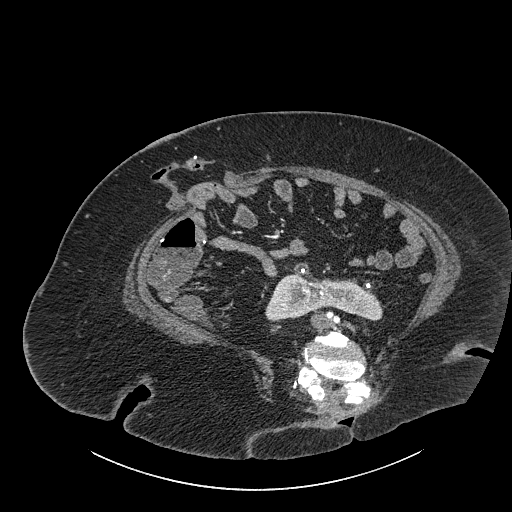
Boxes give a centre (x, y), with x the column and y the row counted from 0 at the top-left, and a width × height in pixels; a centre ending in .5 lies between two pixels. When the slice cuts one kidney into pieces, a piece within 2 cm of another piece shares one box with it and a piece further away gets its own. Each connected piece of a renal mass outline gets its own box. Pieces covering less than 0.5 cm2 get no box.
Slice 430/834 of a contrast-enhanced abdominal CT, counting up from the lowest; pixel size 0.977 mm, slice thickness 1.00 mm. Box centre (324, 292.5), 119 × 58 pixels: kidney crossing the body midline (outlined area 4,035 px, about 38.5 cm2). This slice carries no renal mass outline.
Scan settings: 140 kVp, I30f reconstruction kernel.